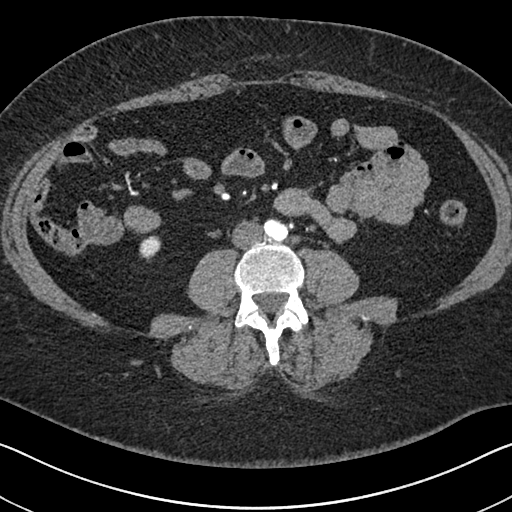
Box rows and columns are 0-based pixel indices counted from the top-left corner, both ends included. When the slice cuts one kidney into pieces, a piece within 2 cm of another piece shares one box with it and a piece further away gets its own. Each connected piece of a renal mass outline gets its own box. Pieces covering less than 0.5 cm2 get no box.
Slice 272/591 of a contrast-enhanced abdominal CT in the arterial phase, counting up from the lowest; pixel size 0.703 mm, slice thickness 1.00 mm. Box rows 237–261, columns 139–161: right kidney (outlined area 388 px, about 1.9 cm2). No renal mass outline on this slice.
Scan settings: 140 kVp, I30f reconstruction kernel.